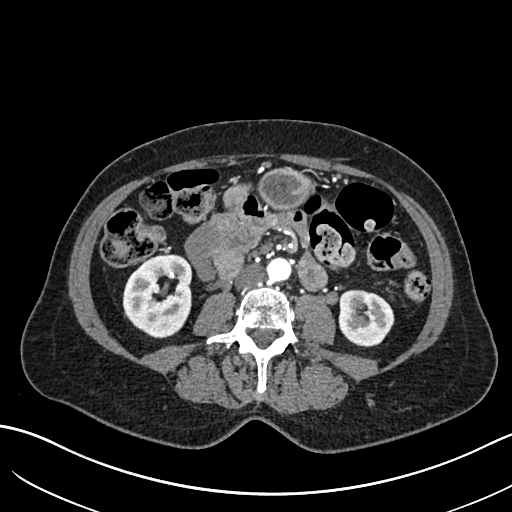
One axial slice (309 of 683, counting up from the lowest) of an arterial-phase abdominal CT acquired with 120 kVp, kernel I30f; each pixel is 0.738 mm and the slice is 1.00 mm thick.
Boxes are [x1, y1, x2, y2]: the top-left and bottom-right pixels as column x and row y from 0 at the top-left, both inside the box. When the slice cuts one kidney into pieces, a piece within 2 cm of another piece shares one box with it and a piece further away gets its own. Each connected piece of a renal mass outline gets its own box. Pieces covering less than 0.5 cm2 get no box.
Two boxes on this slice (two kidney boxes), listed by box centre from the image's left to its right. (1) Right kidney at [122, 254, 191, 338] (outlined area 4,507 px, about 24.6 cm2). (2) Box [339, 289, 394, 347]: left kidney (outlined area 2,573 px, about 14.0 cm2). No renal mass is outlined on this slice.